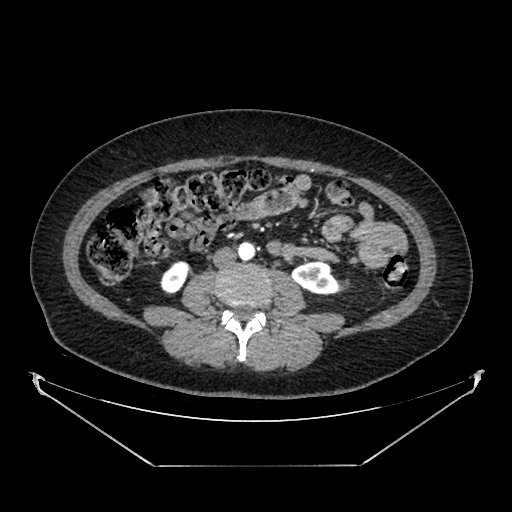
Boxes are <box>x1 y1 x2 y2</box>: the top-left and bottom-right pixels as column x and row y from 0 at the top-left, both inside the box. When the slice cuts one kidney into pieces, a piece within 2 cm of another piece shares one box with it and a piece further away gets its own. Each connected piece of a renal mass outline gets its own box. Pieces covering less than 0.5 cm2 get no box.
Slice 191/383 of a contrast-enhanced abdominal CT in the arterial phase, counting up from the lowest; pixel size 0.898 mm, slice thickness 1.25 mm. Boxed on this slice (two kidney boxes), listed by box centre from the image's left to its right: (1) Right kidney: <box>160 261 188 294</box> (outlined area 701 px, about 5.7 cm2). (2) At <box>291 261 339 294</box>: left kidney (outlined area 1,168 px, about 9.4 cm2). No renal mass is outlined on this slice.
Acquired at 100 kVp and reconstructed with the SOFT kernel.